Axial slice 503 of 719 of a contrast-enhanced abdominal CT in the arterial phase (slice 1 is the lowest), 120 kVp, kernel B20f; 1.00 mm slice thickness and 0.766 mm pixels.
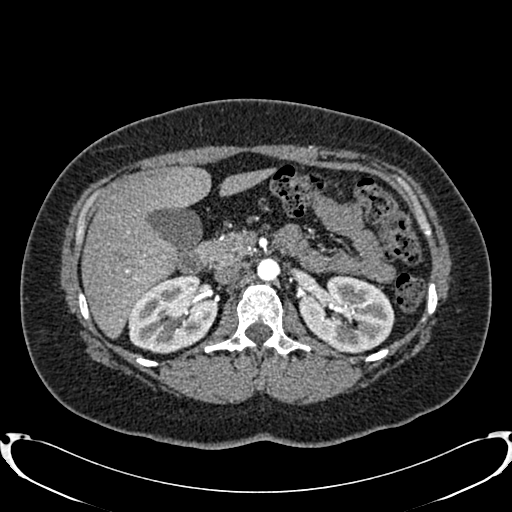
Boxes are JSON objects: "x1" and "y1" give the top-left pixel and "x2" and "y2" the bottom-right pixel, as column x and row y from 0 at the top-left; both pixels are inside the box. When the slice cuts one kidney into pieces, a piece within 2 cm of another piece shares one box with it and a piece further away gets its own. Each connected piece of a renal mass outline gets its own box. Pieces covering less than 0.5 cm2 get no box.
Two kidney boxes on this slice; by box centre, from the image's left to its right: (1) Right kidney at {"x1": 128, "y1": 275, "x2": 218, "y2": 353} (outlined area 5,258 px, about 30.8 cm2). (2) Left kidney, box {"x1": 299, "y1": 275, "x2": 394, "y2": 352} (outlined area 5,430 px, about 31.8 cm2). No renal mass outline on this slice.